Arterial-phase contrast-enhanced abdominal CT, axial slice 415 of 512 (counted from the lowest slice); tube voltage 120 kVp, convolution kernel B30f; slices 1.00 mm thick, 0.771 mm per pixel.
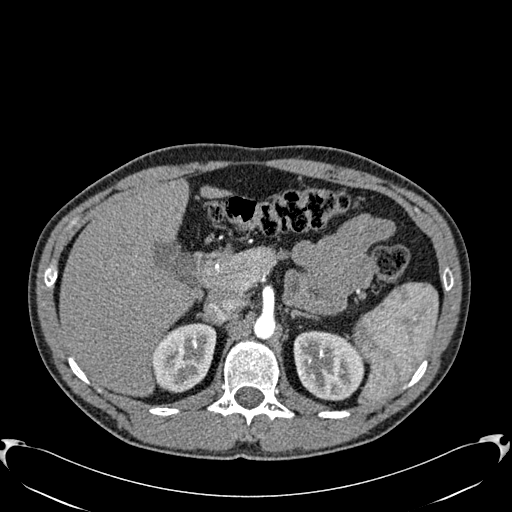
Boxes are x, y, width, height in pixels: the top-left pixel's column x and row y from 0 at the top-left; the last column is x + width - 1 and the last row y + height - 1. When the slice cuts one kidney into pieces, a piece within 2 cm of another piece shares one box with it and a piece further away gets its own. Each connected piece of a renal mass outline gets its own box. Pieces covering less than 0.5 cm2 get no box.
Two boxes on this slice (two kidney boxes), listed by box centre from the image's left to its right. (1) Box x 151, y 323, width 66, height 70: right kidney (outlined area 3,459 px, about 20.6 cm2). (2) Box x 293, y 330, width 72, height 71: left kidney (outlined area 3,946 px, about 23.5 cm2). No renal mass outline on this slice.